Arterial-phase contrast-enhanced abdominal CT, axial slice 174 of 325 (counted from the lowest slice); tube voltage 100 kVp, convolution kernel I30f; slices 1.00 mm thick, 0.703 mm per pixel.
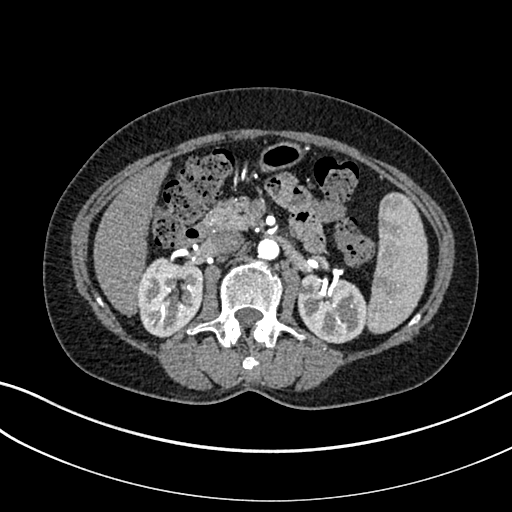
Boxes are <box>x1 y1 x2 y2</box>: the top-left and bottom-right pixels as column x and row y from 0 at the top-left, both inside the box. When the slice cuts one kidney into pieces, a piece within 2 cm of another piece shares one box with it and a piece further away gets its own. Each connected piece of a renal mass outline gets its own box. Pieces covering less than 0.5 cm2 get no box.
Two kidney boxes on this slice; by box centre, from the image's left to its right: (1) Right kidney at <box>137 257 204 337</box> (outlined area 4,118 px, about 20.4 cm2). (2) Left kidney: <box>297 273 366 343</box> (outlined area 3,829 px, about 18.9 cm2). No renal mass outline on this slice.